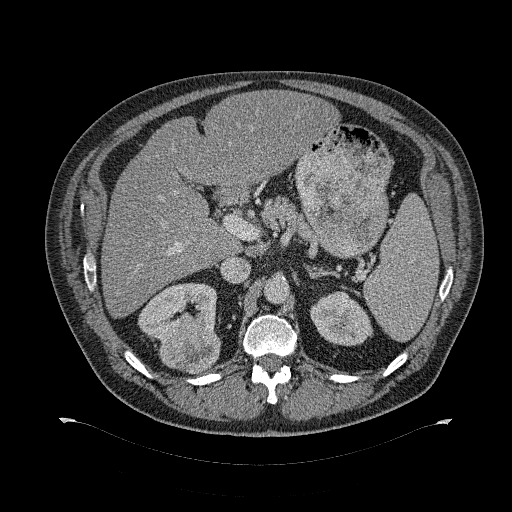
Axial slice 208 of 274 of a contrast-enhanced abdominal CT (slice 1 is the lowest), 120 kVp, kernel B31f; 2.00 mm slice thickness and 0.977 mm pixels.
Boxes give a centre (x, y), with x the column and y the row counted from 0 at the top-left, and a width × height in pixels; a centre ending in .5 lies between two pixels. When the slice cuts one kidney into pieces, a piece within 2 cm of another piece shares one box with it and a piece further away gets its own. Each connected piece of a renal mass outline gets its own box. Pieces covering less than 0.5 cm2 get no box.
Boxed on this slice (two kidney boxes and one renal mass box), listed by box centre from the image's left to its right: (1) Right kidney, box centre (177, 312.5), 79 × 62 pixels (outlined area 2,985 px, about 28.5 cm2). (2) Right renal mass in a box with centre (190.5, 348.5), 62 × 52 pixels (outlined area 2,417 px, about 23.1 cm2). (3) Left kidney, box centre (341, 318), 65 × 57 pixels (outlined area 2,517 px, about 24.0 cm2).